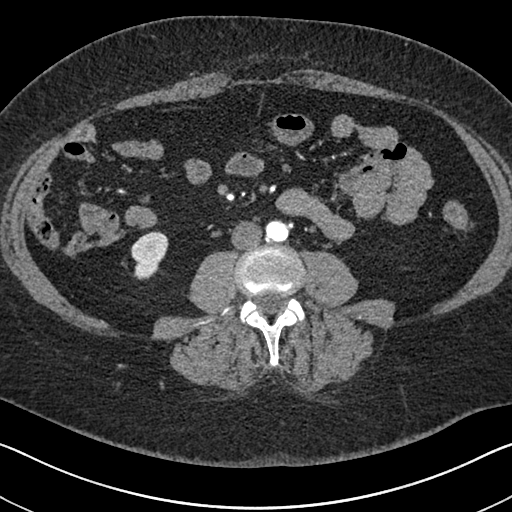
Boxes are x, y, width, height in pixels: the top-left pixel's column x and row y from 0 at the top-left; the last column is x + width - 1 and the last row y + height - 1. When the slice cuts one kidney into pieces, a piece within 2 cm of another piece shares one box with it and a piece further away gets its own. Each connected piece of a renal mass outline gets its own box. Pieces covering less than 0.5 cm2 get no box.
Slice 280/591 of a contrast-enhanced abdominal CT in the arterial phase, counting up from the lowest; pixel size 0.703 mm, slice thickness 1.00 mm. Box x 130, y 231, width 39, height 50: right kidney (outlined area 1,325 px, about 6.6 cm2). This slice carries no renal mass outline.
Acquired at 140 kVp and reconstructed with the I30f kernel.